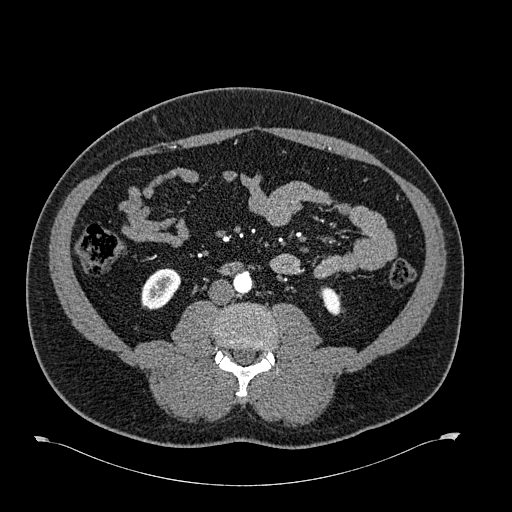
Arterial-phase contrast-enhanced abdominal CT, axial slice 269 of 723 (counted from the lowest slice); tube voltage 120 kVp, convolution kernel B30f; slices 1.00 mm thick, 0.895 mm per pixel.
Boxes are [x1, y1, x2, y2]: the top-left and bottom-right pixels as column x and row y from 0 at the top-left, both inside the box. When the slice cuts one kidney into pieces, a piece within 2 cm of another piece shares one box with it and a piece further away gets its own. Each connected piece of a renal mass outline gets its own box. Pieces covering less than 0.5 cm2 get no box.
Boxed on this slice (two kidney boxes), listed by box centre from the image's left to its right: (1) Box [141, 268, 180, 309]: right kidney (outlined area 1,210 px, about 9.7 cm2). (2) Left kidney, box [319, 286, 341, 315] (outlined area 453 px, about 3.6 cm2). No renal mass outline on this slice.